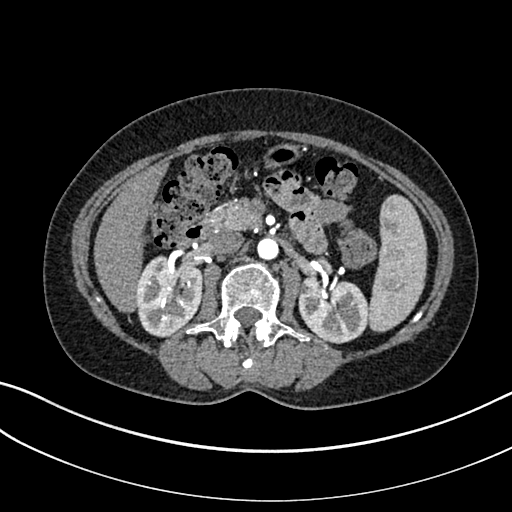
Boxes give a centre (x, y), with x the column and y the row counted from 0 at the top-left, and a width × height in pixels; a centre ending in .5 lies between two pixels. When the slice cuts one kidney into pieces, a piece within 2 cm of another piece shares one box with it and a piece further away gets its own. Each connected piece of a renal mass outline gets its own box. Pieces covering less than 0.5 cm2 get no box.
Slice 170/325 of a contrast-enhanced abdominal CT in the arterial phase, counting up from the lowest; pixel size 0.703 mm, slice thickness 1.00 mm. Two boxes on this slice (two kidney boxes), listed by box centre from the image's left to its right. (1) Box centre (169.5, 296), 68 × 83 pixels: right kidney (outlined area 4,294 px, about 21.2 cm2). (2) Box centre (333, 309.5), 71 × 68 pixels: left kidney (outlined area 3,776 px, about 18.7 cm2). This slice carries no renal mass outline.
Scan settings: 100 kVp, I30f reconstruction kernel.